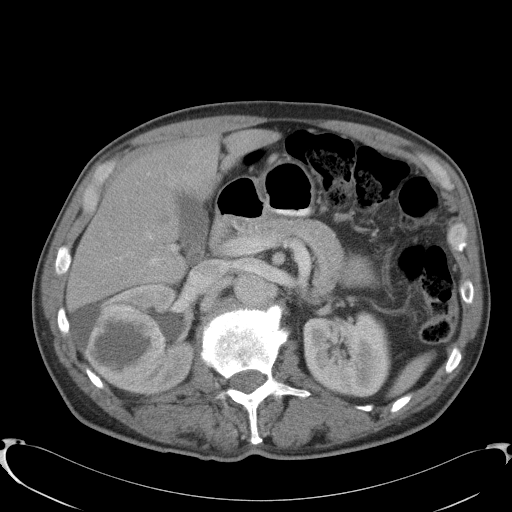
One axial slice (68 of 91, counting up from the lowest) of a contrast-enhanced abdominal CT acquired with 120 kVp, kernel B41f; each pixel is 0.762 mm and the slice is 5.00 mm thick.
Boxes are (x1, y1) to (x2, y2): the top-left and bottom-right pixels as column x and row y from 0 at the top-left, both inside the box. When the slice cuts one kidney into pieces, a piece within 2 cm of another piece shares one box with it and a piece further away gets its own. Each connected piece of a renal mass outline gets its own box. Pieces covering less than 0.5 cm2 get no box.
Three boxes on this slice (two kidney boxes and one renal mass box), listed by box centre from the image's left to its right. (1) Right renal mass, box (83, 302) to (165, 386) (outlined area 4,934 px, about 28.6 cm2). (2) Box (69, 284) to (195, 394): right kidney (outlined area 5,377 px, about 31.2 cm2). (3) Left kidney, box (302, 311) to (389, 397) (outlined area 6,263 px, about 36.3 cm2).